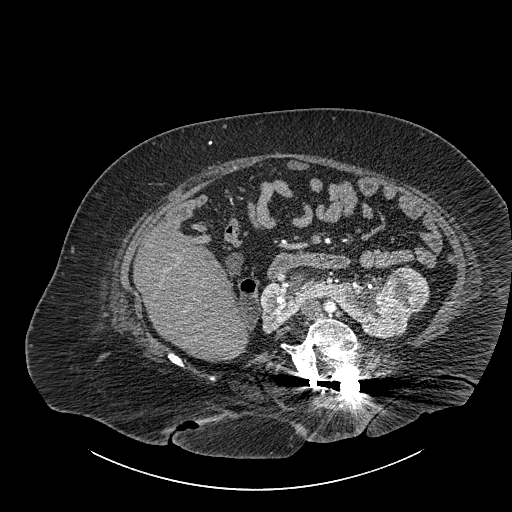
Axial slice 512 of 834 of a contrast-enhanced abdominal CT (slice 1 is the lowest), 140 kVp, kernel I30f; 1.00 mm slice thickness and 0.977 mm pixels.
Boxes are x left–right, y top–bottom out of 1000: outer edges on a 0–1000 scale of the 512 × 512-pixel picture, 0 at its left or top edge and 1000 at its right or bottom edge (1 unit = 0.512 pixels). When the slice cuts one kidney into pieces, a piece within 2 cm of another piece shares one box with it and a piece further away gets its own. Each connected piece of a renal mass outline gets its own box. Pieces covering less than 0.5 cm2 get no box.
One kidney box and one renal mass box on this slice; by box centre, from the image's left to its right: (1) Box x 508–807, y 531–666 out of 1000: kidney crossing the body midline (outlined area 5,147 px, about 49.1 cm2). (2) Box x 750–840, y 523–613 out of 1000: renal mass (outlined area 1,741 px, about 16.6 cm2).